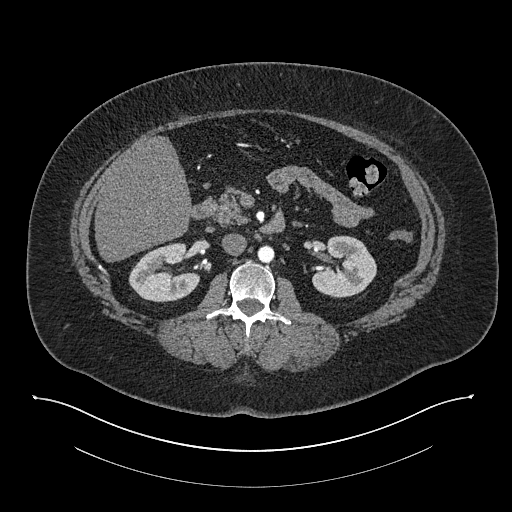
Arterial-phase contrast-enhanced abdominal CT, axial slice 456 of 673 (counted from the lowest slice); tube voltage 140 kVp, convolution kernel I30f; slices 1.00 mm thick, 0.957 mm per pixel.
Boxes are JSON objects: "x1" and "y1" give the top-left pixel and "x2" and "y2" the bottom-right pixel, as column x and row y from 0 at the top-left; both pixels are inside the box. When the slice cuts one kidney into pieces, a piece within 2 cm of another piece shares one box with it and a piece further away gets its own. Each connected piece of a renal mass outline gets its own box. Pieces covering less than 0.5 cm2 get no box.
Boxed on this slice (two kidney boxes), listed by box centre from the image's left to its right: (1) Box {"x1": 129, "y1": 242, "x2": 199, "y2": 302}: right kidney (outlined area 2,994 px, about 27.4 cm2). (2) Box {"x1": 311, "y1": 235, "x2": 376, "y2": 297}: left kidney (outlined area 2,996 px, about 27.4 cm2). No renal mass outline on this slice.